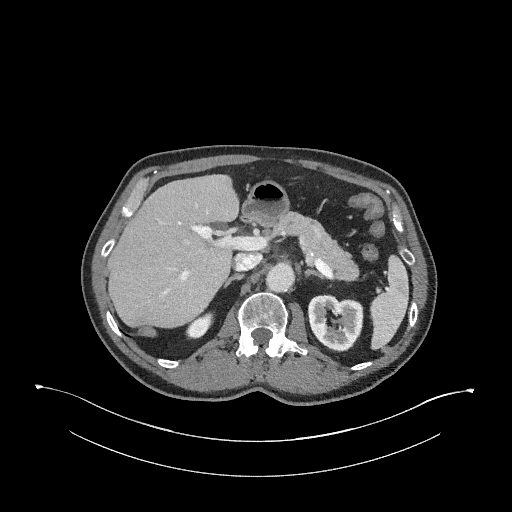
Arterial-phase contrast-enhanced abdominal CT, axial slice 174 of 345 (counted from the lowest slice); tube voltage 120 kVp, convolution kernel I31f; slices 2.00 mm thick, 0.977 mm per pixel.
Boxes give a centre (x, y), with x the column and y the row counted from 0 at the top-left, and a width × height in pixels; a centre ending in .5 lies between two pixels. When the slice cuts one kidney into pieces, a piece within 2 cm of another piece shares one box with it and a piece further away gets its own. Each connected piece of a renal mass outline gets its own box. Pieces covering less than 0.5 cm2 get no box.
Two kidney boxes on this slice; by box centre, from the image's left to its right: (1) Right kidney, box centre (199.5, 325), 30 × 29 pixels (outlined area 511 px, about 4.9 cm2). (2) Box centre (335, 322.5), 57 × 58 pixels: left kidney (outlined area 2,511 px, about 23.9 cm2). This slice carries no renal mass outline.